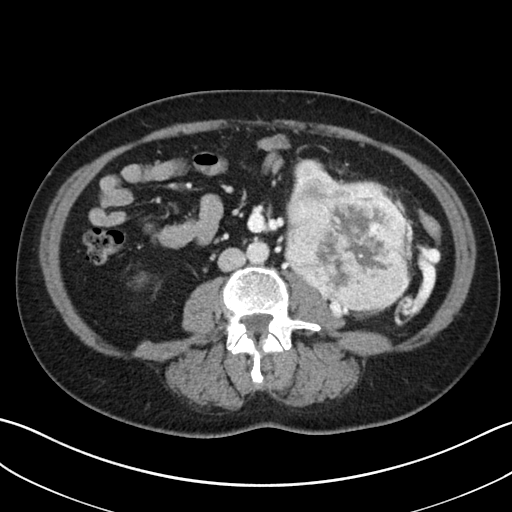
Contrast-enhanced abdominal CT, axial slice 7 of 38 (counted from the lowest slice); tube voltage 100 kVp, convolution kernel I30f; slices 5.00 mm thick, 0.730 mm per pixel.
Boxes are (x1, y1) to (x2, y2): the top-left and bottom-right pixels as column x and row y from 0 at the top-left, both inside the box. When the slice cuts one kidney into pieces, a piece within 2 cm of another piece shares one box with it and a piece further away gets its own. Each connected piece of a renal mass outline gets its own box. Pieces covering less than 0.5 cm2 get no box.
Two kidney boxes and one renal mass box on this slice; by box centre, from the image's left to its right: (1) Box (135, 272) to (147, 286): right kidney (outlined area 111 px, about 0.6 cm2). (2) Left kidney from (289, 159) to (336, 201) (outlined area 1,017 px, about 5.4 cm2). (3) Box (285, 180) to (407, 311): left renal mass (outlined area 12,896 px, about 68.8 cm2).